Contrast-enhanced abdominal CT, axial slice 53 of 92 (counted from the lowest slice); tube voltage 100 kVp, convolution kernel I41f; slices 3.00 mm thick, 0.684 mm per pixel.
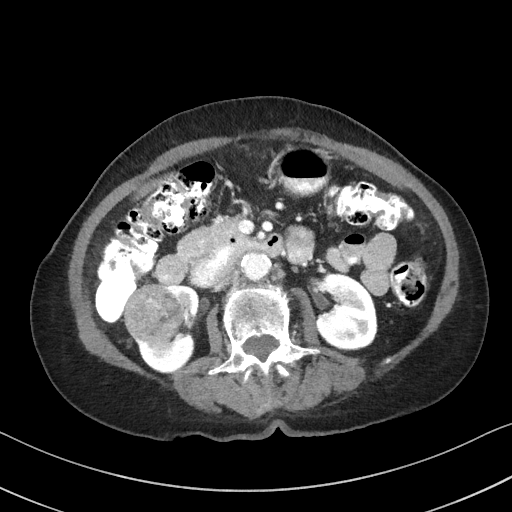
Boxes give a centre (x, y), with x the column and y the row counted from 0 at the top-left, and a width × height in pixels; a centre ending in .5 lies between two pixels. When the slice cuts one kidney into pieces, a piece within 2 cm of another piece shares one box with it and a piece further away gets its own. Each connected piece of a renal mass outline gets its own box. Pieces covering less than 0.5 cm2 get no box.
Two kidney boxes and one renal mass box on this slice; by box centre, from the image's left to its right: (1) Right renal mass in a box with centre (154, 313.5), 61 × 60 pixels (outlined area 2,827 px, about 13.2 cm2). (2) Right kidney in a box with centre (168.5, 329.5), 62 × 88 pixels (outlined area 2,430 px, about 11.4 cm2). (3) Left kidney in a box with centre (346, 312), 63 × 77 pixels (outlined area 3,788 px, about 17.7 cm2).